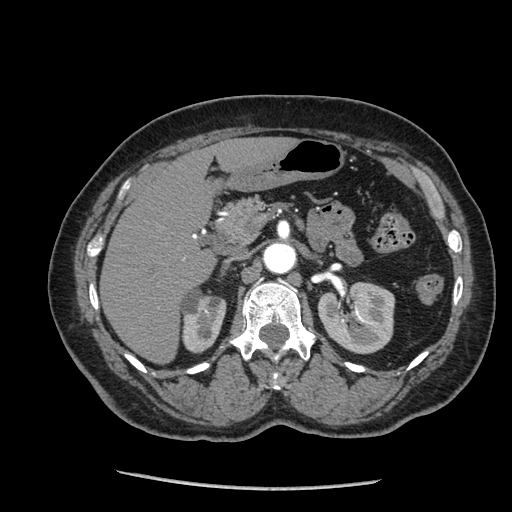
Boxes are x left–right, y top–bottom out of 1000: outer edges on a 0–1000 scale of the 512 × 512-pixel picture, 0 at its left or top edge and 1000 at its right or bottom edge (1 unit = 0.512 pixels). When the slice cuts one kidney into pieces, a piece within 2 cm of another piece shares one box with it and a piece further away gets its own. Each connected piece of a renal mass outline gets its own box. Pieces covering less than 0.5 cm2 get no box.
Arterial-phase contrast-enhanced abdominal CT, axial slice 143 of 233 (counted from the lowest slice); 1.25 mm thick, 0.703 mm per pixel. Two kidney boxes on this slice; by box centre, from the image's left to its right: (1) Box x 354–443, y 559–691 out of 1000: right kidney (outlined area 2,304 px, about 11.4 cm2). (2) Left kidney, box x 619–773, y 549–693 out of 1000 (outlined area 4,417 px, about 21.8 cm2). This slice carries no renal mass outline.
Tube voltage 120 kVp; convolution kernel STANDARD.